Abdominal CT with intravenous contrast, axial plane, 120 kVp, kernel STANDARD. Slice 14/103 from the bottom of the scan; thickness 2.50 mm; pixel size 0.736 mm.
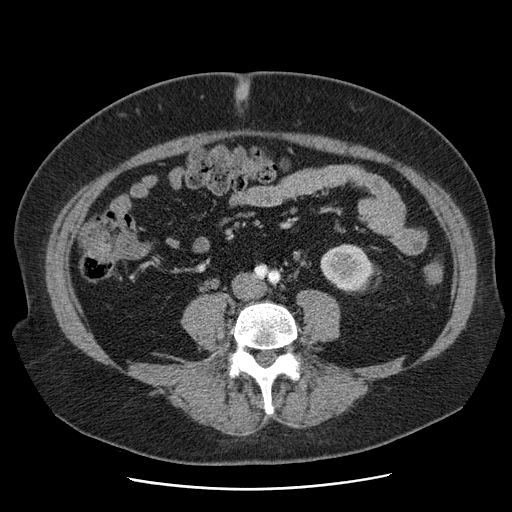
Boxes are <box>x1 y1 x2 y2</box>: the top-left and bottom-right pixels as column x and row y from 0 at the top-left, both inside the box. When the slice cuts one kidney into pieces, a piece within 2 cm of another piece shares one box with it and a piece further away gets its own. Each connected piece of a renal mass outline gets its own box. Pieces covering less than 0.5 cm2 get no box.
Left kidney: <box>320 243 373 293</box> (outlined area 2,015 px, about 10.9 cm2). No renal mass outline on this slice.